Abdominal CT with intravenous contrast, axial plane, 140 kVp, kernel I30f. Slice 467/834 from the bottom of the scan; thickness 1.00 mm; pixel size 0.977 mm.
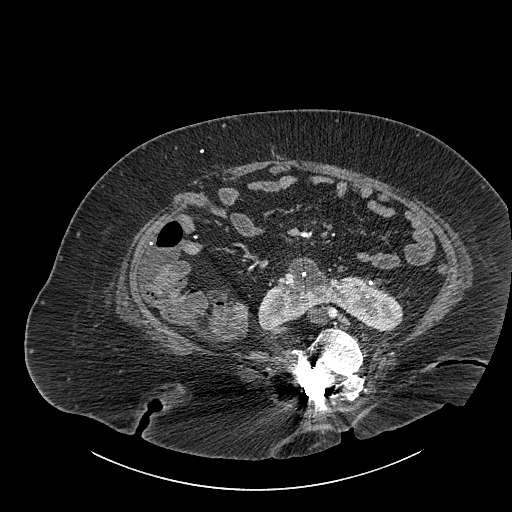
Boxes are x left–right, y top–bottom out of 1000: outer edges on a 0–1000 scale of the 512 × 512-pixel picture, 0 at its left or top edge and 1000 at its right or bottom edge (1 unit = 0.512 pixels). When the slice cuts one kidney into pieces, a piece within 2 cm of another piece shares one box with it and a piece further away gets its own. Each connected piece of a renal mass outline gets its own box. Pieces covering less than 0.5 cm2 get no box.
Box x 504–789, y 502–648 out of 1000: kidney crossing the body midline (outlined area 5,791 px, about 55.2 cm2).